One axial slice (264 of 541, counting up from the lowest) of an arterial-phase abdominal CT acquired with 120 kVp, kernel I30f; each pixel is 0.834 mm and the slice is 1.00 mm thick.
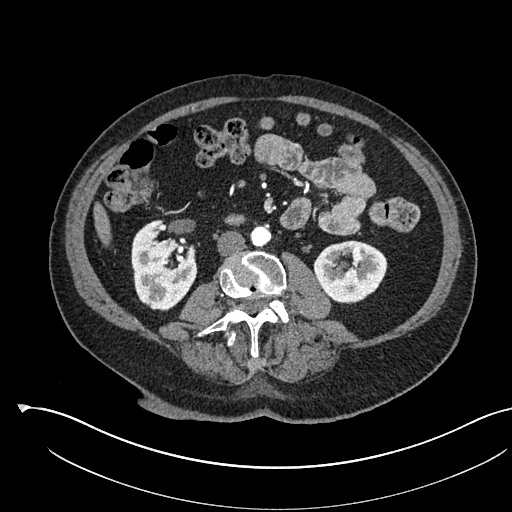
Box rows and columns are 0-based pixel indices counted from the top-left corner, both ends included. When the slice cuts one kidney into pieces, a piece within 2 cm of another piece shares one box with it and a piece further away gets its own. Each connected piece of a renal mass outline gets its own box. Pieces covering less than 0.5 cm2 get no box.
Boxed on this slice (two kidney boxes), listed by box centre from the image's left to its right: (1) Right kidney at rows 220–310, columns 131–197 (outlined area 4,162 px, about 28.9 cm2). (2) Left kidney, box rows 240–303, columns 313–387 (outlined area 3,534 px, about 24.6 cm2). No renal mass outline on this slice.